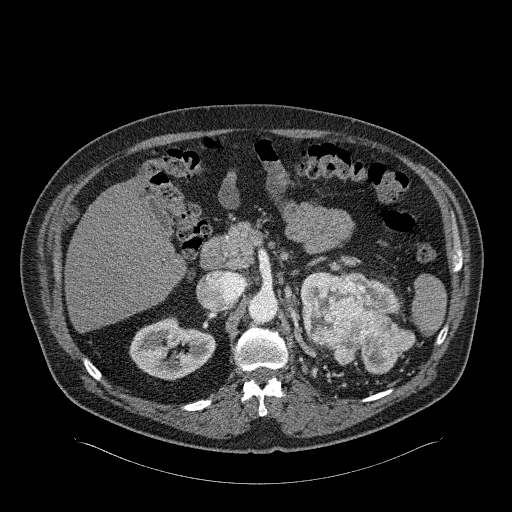
Abdominal CT with intravenous contrast, arterial phase, axial plane, 120 kVp, kernel B31f. Slice 163/326 from the bottom of the scan; thickness 2.00 mm; pixel size 0.963 mm.
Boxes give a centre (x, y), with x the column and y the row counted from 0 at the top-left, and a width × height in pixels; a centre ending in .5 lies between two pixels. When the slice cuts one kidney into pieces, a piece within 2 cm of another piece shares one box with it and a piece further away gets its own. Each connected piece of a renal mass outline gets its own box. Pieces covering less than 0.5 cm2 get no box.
Boxed on this slice (two kidney boxes and one renal mass box), listed by box centre from the image's left to its right: (1) Right kidney, box centre (172.5, 348), 88 × 65 pixels (outlined area 3,756 px, about 34.8 cm2). (2) Left kidney in a box with centre (350, 292), 101 × 43 pixels (outlined area 1,498 px, about 13.9 cm2). (3) Left renal mass in a box with centre (358.5, 324.5), 114 × 100 pixels (outlined area 6,643 px, about 61.6 cm2).